Arterial-phase contrast-enhanced abdominal CT, axial slice 44 of 97 (counted from the lowest slice); tube voltage 120 kVp, convolution kernel B30f; slices 5.00 mm thick, 0.824 mm per pixel.
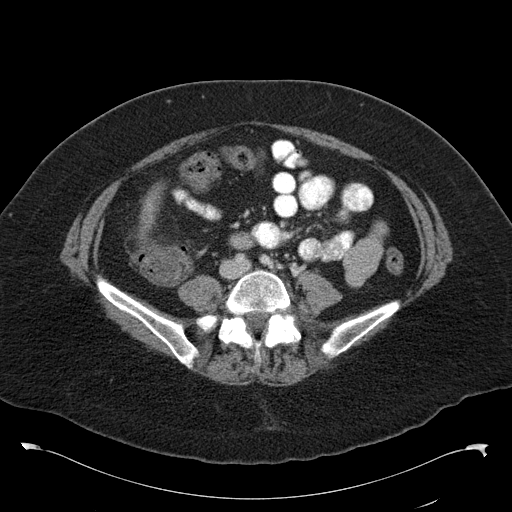
Neither a kidney nor a renal mass is outlined here. Only kidneys and renal masses are outlined anywhere in this scan; other structures are never outlined.